One axial slice (567 of 738, counting up from the lowest) of an arterial-phase abdominal CT acquired with 120 kVp, kernel I30f; each pixel is 0.789 mm and the slice is 1.00 mm thick.
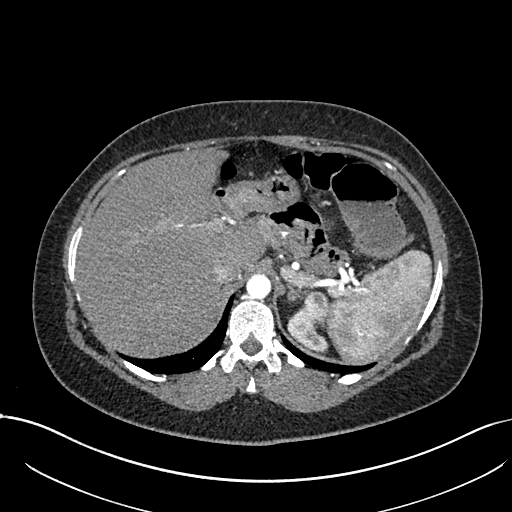
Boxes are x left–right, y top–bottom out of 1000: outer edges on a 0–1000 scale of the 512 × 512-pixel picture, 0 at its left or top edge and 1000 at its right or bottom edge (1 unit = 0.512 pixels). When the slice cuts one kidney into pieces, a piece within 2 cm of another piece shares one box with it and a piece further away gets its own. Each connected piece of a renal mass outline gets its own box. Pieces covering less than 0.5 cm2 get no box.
Two boxes on this slice (one kidney box and one renal mass box), listed by box centre from the image's left to its right. (1) Box x 561–643, y 611–689 out of 1000: left kidney (outlined area 743 px, about 4.6 cm2). (2) Left renal mass, box x 578–641, y 568–646 out of 1000 (outlined area 914 px, about 5.7 cm2).